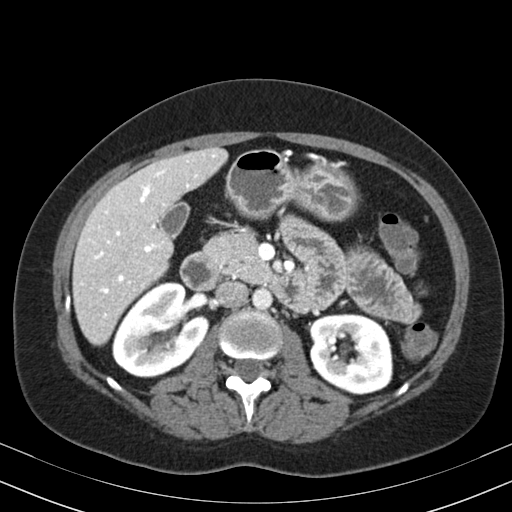
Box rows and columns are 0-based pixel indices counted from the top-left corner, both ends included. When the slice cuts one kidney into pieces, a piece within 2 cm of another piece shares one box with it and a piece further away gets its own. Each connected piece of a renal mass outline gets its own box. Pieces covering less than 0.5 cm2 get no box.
Slice 112/164 of a contrast-enhanced abdominal CT in the arterial phase, counting up from the lowest; pixel size 0.664 mm, slice thickness 3.00 mm. Boxed on this slice (two kidney boxes), listed by box centre from the image's left to its right: (1) Right kidney at rows 282–377, columns 112–209 (outlined area 6,586 px, about 29.0 cm2). (2) Box rows 313–394, columns 308–392: left kidney (outlined area 5,508 px, about 24.3 cm2). No renal mass is outlined on this slice.
Acquired at 130 kVp and reconstructed with the B30s kernel.